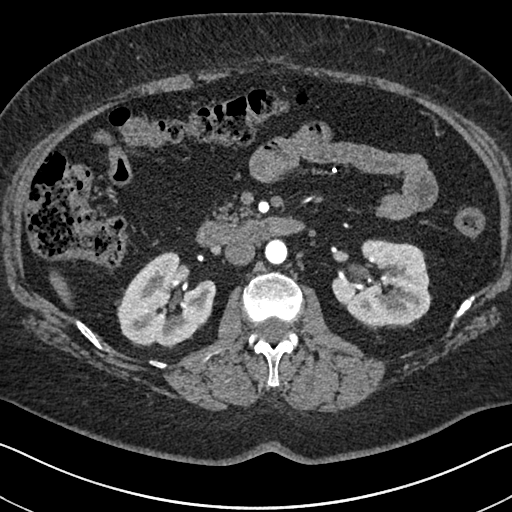
Axial slice 398 of 591 of a contrast-enhanced abdominal CT in the arterial phase (slice 1 is the lowest), 140 kVp, kernel I30f; 1.00 mm slice thickness and 0.703 mm pixels.
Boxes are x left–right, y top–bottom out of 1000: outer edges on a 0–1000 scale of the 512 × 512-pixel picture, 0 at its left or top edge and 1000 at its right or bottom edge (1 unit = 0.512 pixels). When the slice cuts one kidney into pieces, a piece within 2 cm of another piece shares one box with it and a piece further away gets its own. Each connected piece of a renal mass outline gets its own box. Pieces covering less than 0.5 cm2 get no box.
Two boxes on this slice (two kidney boxes), listed by box centre from the image's left to its right. (1) Right kidney, box x 225–424, y 490–682 out of 1000 (outlined area 6,506 px, about 32.2 cm2). (2) Box x 648–844, y 467–646 out of 1000: left kidney (outlined area 6,513 px, about 32.2 cm2). No renal mass outline on this slice.